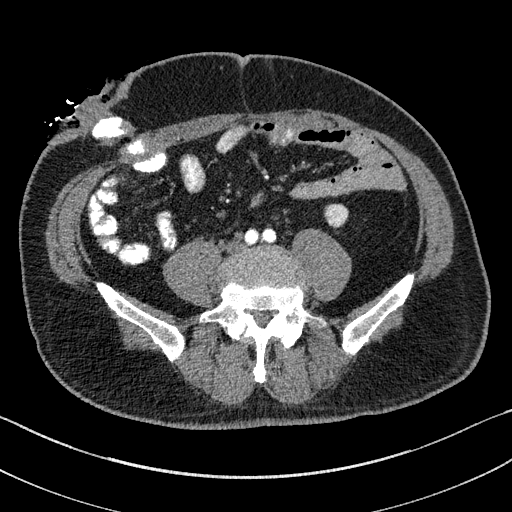
One axial slice (24 of 195, counting up from the lowest) of an arterial-phase abdominal CT acquired with 100 kVp, kernel I31f; each pixel is 0.707 mm and the slice is 1.50 mm thick.
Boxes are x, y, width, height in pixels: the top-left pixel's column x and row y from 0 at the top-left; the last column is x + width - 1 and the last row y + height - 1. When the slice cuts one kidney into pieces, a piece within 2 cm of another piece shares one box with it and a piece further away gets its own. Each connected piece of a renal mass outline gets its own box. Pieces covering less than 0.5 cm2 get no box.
Left kidney, box x 325, y 204, width 24, height 24 (outlined area 444 px, about 2.2 cm2). This slice carries no renal mass outline.